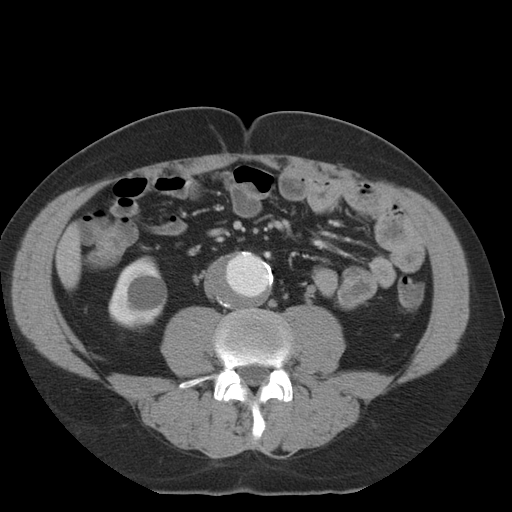
Arterial-phase contrast-enhanced abdominal CT, axial slice 2 of 36 (counted from the lowest slice); tube voltage 140 kVp, convolution kernel STANDARD; slices 5.00 mm thick, 0.703 mm per pixel.
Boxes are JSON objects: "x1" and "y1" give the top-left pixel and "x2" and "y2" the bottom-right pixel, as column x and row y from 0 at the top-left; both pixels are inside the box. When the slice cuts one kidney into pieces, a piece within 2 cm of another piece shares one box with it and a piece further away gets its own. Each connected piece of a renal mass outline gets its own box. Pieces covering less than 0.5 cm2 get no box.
Box {"x1": 108, "y1": 256, "x2": 167, "y2": 330}: right kidney (outlined area 3,187 px, about 15.8 cm2). This slice carries no renal mass outline.